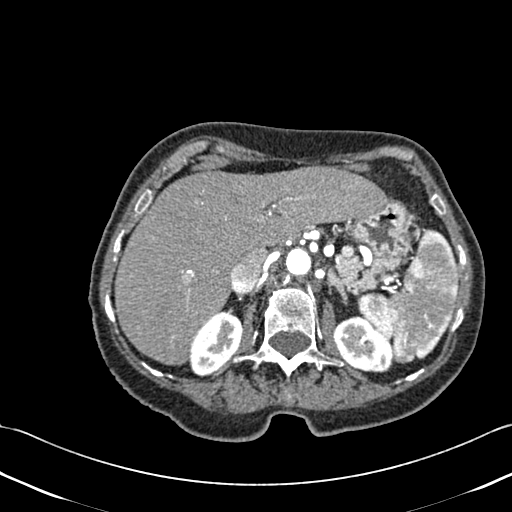
Axial slice 317 of 433 of a contrast-enhanced abdominal CT (slice 1 is the lowest), 120 kVp, kernel B30f; 1.00 mm slice thickness and 0.672 mm pixels.
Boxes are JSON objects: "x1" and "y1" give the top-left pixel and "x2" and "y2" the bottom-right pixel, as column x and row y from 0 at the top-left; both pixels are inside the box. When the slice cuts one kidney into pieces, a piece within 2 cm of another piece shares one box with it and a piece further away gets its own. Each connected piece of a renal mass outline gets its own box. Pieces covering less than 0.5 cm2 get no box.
Two boxes on this slice (two kidney boxes), listed by box centre from the image's left to its right. (1) Right kidney, box {"x1": 190, "y1": 311, "x2": 242, "y2": 376} (outlined area 2,408 px, about 10.9 cm2). (2) Box {"x1": 333, "y1": 316, "x2": 393, "y2": 372}: left kidney (outlined area 2,492 px, about 11.2 cm2). No renal mass outline on this slice.